Axial slice 359 of 548 of a contrast-enhanced abdominal CT in the arterial phase (slice 1 is the lowest), 120 kVp, kernel I26f; 1.00 mm slice thickness and 0.852 mm pixels.
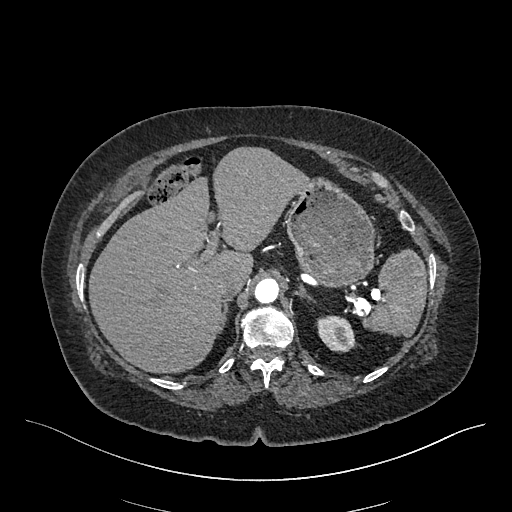
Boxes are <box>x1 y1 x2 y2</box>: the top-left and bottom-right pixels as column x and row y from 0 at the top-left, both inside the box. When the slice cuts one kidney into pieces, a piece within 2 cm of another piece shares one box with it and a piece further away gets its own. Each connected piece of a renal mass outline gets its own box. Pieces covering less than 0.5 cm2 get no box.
Left kidney: <box>316 315 356 352</box> (outlined area 1,128 px, about 8.2 cm2). No renal mass is outlined on this slice.